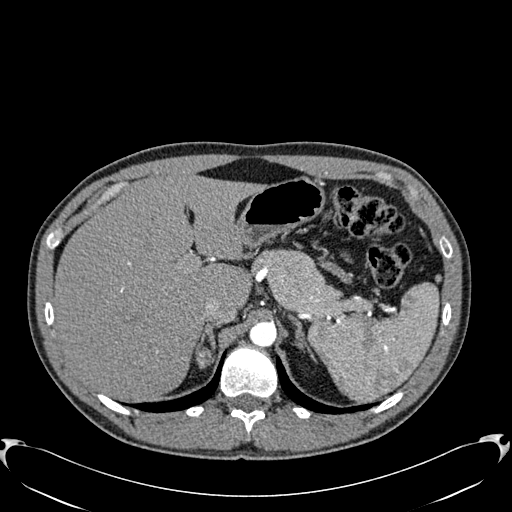
Arterial-phase contrast-enhanced abdominal CT, axial slice 464 of 512 (counted from the lowest slice); tube voltage 120 kVp, convolution kernel B30f; slices 1.00 mm thick, 0.771 mm per pixel.
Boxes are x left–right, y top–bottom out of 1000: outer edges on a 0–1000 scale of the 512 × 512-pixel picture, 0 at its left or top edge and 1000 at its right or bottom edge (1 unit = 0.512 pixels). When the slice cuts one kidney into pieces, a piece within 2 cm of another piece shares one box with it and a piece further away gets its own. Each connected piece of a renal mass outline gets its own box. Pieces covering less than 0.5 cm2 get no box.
Right renal mass, box x 383–420, y 678–721 out of 1000 (outlined area 307 px, about 1.8 cm2); this slice has no kidney outline, though on another slice the same outlined renal mass lies within 1 cm of the kidney.